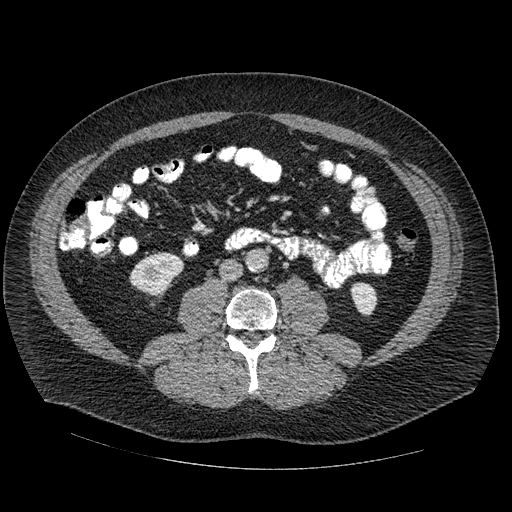
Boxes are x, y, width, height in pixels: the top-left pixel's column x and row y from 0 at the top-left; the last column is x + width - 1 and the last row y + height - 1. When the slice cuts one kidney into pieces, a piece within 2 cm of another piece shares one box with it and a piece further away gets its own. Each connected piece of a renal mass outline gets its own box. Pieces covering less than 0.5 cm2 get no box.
Slice 235/445 of a contrast-enhanced abdominal CT in the arterial phase, counting up from the lowest; pixel size 0.863 mm, slice thickness 1.25 mm. Two kidney boxes on this slice; by box centre, from the image's left to its right: (1) Box x 129, y 252, width 56, height 46: right kidney (outlined area 1,759 px, about 13.1 cm2). (2) Left kidney, box x 350, y 282, width 28, height 35 (outlined area 710 px, about 5.3 cm2). No renal mass is outlined on this slice.
Scan settings: 120 kVp, STANDARD reconstruction kernel.